One axial slice (378 of 683, counting up from the lowest) of an arterial-phase abdominal CT acquired with 120 kVp, kernel I30f; each pixel is 0.738 mm and the slice is 1.00 mm thick.
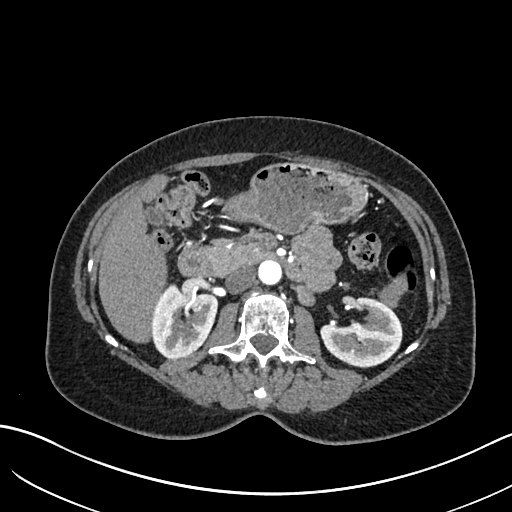
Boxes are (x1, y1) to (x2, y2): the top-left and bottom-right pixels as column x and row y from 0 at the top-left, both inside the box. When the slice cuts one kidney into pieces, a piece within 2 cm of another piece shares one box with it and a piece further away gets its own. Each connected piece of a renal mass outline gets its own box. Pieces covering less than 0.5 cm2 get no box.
Two kidney boxes on this slice; by box centre, from the image's left to its right: (1) Right kidney from (151, 283) to (218, 358) (outlined area 3,836 px, about 20.9 cm2). (2) Box (321, 296) to (401, 367): left kidney (outlined area 3,897 px, about 21.2 cm2). This slice carries no renal mass outline.